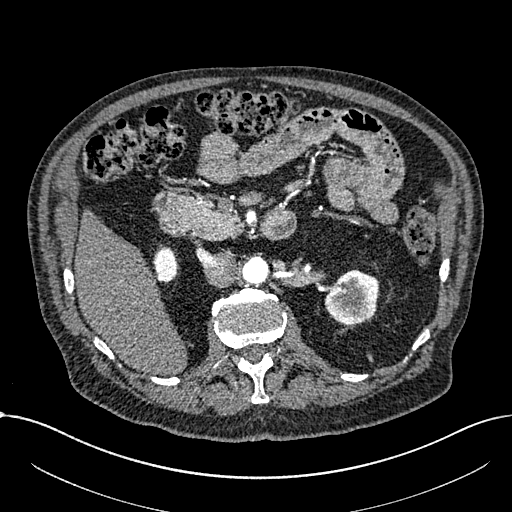
One axial slice (427 of 1059, counting up from the lowest) of an arterial-phase abdominal CT acquired with 100 kVp, kernel I30f; each pixel is 0.811 mm and the slice is 1.00 mm thick.
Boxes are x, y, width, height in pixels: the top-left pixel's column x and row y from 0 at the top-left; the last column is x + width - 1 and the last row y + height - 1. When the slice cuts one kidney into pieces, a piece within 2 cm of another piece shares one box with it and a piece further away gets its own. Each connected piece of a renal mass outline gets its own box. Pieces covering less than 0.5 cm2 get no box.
Two boxes on this slice (two kidney boxes), listed by box centre from the image's left to its right. (1) Right part of the midline-crossing kidney, box x 153, y 248, width 26, height 36 (outlined area 689 px, about 4.5 cm2). (2) Box x 324, y 269, width 56, height 57: left part of the midline-crossing kidney (outlined area 2,362 px, about 15.5 cm2). This slice carries no renal mass outline.